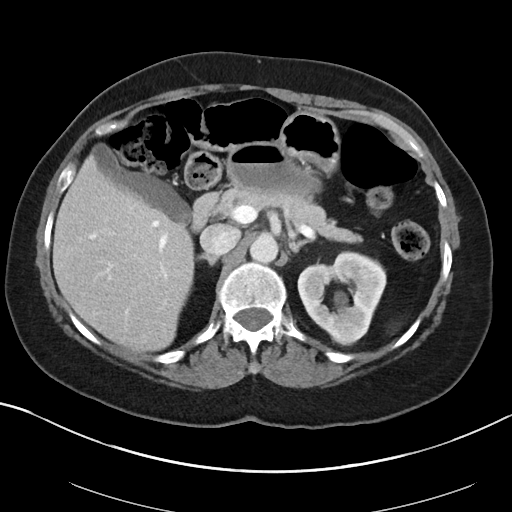
Arterial-phase contrast-enhanced abdominal CT, axial slice 64 of 88 (counted from the lowest slice); tube voltage 100 kVp, convolution kernel I40f; slices 5.00 mm thick, 0.705 mm per pixel.
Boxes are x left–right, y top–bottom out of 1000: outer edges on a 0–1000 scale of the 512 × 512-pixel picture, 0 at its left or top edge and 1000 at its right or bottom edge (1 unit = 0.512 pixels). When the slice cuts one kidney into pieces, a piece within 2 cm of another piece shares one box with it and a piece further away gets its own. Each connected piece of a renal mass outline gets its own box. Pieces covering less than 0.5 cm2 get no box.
One kidney box and one renal mass box on this slice; by box centre, from the image's left to its right: (1) Left kidney, box x 580–756, y 496–670 out of 1000 (outlined area 5,091 px, about 25.3 cm2). (2) Left renal mass at x 645–693, y 635–676 out of 1000 (outlined area 417 px, about 2.1 cm2).